One axial slice (49 of 102, counting up from the lowest) of a contrast-enhanced abdominal CT acquired with 120 kVp, kernel I40f; each pixel is 0.977 mm and the slice is 5.00 mm thick.
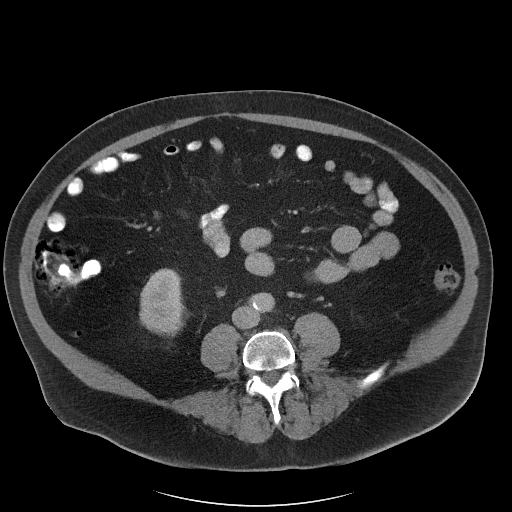
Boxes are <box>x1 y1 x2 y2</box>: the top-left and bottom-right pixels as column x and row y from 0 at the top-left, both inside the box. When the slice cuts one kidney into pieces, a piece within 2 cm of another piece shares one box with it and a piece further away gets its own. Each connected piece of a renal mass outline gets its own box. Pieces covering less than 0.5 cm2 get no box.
Right kidney: <box>139 268 188 336</box> (outlined area 2,542 px, about 24.2 cm2). No renal mass is outlined on this slice.